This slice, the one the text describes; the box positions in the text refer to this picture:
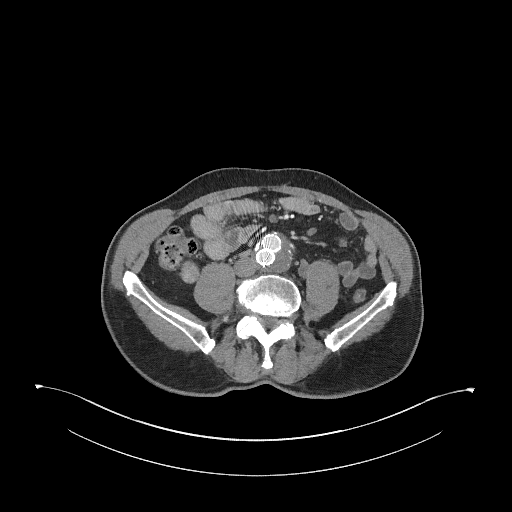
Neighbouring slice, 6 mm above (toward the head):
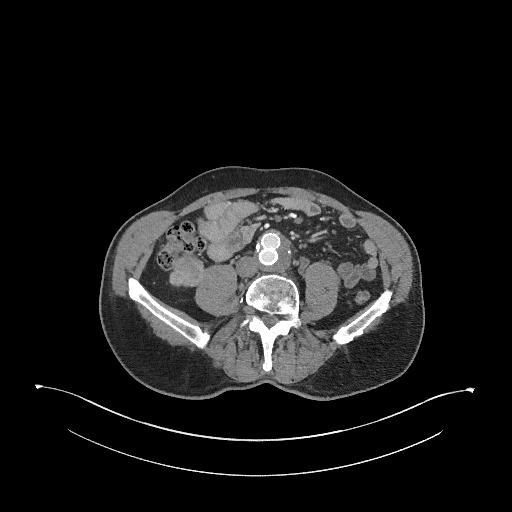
Arterial-phase contrast-enhanced abdominal CT, axial slice 113 of 345 (counted from the lowest slice); tube voltage 120 kVp, convolution kernel I31f; slices 2.00 mm thick, 0.977 mm per pixel.
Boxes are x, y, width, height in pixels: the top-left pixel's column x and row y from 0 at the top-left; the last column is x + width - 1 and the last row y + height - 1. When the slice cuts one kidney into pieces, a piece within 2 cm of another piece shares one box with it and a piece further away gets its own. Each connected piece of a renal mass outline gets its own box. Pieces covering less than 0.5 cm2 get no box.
Box x 179, y 260, width 22, height 24: right renal mass (outlined area 394 px, about 3.8 cm2); no kidney outline appears on this slice, but the same outlined renal mass comes within 1 cm of the kidney on another slice. This slice lies near the end of the right renal mass toward the feet; the slice 6 mm above it is shown too, and the boxes mark positions on this slice only.